Axial slice 507 of 612 of a contrast-enhanced abdominal CT in the arterial phase (slice 1 is the lowest), 120 kVp, kernel I30f; 1.00 mm slice thickness and 0.703 mm pixels.
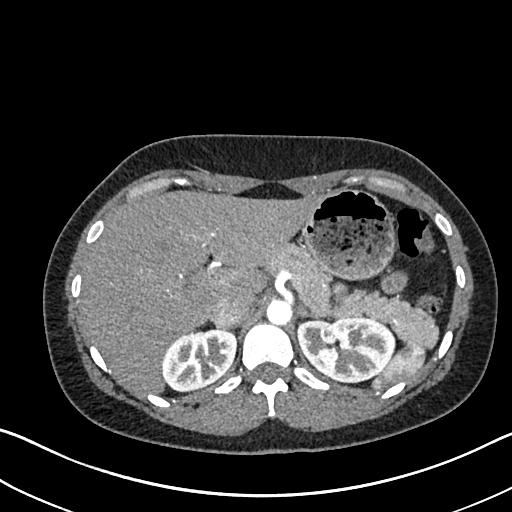
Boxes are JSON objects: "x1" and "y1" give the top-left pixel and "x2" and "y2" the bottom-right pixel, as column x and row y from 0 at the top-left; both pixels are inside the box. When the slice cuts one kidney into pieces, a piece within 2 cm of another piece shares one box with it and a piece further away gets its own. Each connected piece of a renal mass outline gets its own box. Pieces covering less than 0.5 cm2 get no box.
Two kidney boxes on this slice; by box centre, from the image's left to its right: (1) Right kidney, box {"x1": 162, "y1": 329, "x2": 236, "y2": 390} (outlined area 3,556 px, about 17.6 cm2). (2) Left kidney at {"x1": 297, "y1": 317, "x2": 395, "y2": 382} (outlined area 5,058 px, about 25.0 cm2). No renal mass is outlined on this slice.